Axial slice 535 of 834 of a contrast-enhanced abdominal CT (slice 1 is the lowest), 140 kVp, kernel I30f; 1.00 mm slice thickness and 0.977 mm pixels.
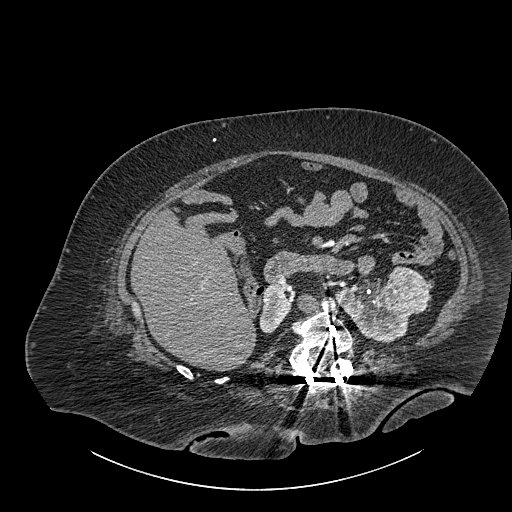
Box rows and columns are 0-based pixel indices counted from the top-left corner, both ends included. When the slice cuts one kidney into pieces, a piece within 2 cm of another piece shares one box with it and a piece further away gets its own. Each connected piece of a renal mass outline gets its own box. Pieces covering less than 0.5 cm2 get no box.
Boxed on this slice (two kidney boxes and one renal mass box), listed by box centre from the image's left to its right: (1) Right part of the midline-crossing kidney, box rows 285–333, columns 259–291 (outlined area 1,078 px, about 10.3 cm2). (2) Left part of the midline-crossing kidney at rows 283–342, columns 335–411 (outlined area 2,736 px, about 26.1 cm2). (3) Renal mass, box rows 266–314, columns 387–429 (outlined area 1,564 px, about 14.9 cm2).